Axial slice 24 of 121 of a contrast-enhanced abdominal CT in the arterial phase (slice 1 is the lowest), 120 kVp, kernel STANDARD; 2.50 mm slice thickness and 0.861 mm pixels.
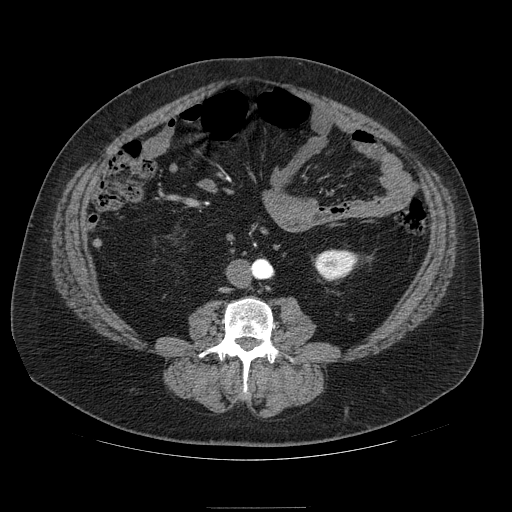
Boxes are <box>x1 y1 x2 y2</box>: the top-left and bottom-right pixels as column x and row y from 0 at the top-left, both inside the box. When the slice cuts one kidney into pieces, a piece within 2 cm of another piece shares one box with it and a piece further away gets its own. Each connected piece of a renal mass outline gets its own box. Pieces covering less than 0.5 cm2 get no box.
Left kidney: <box>314 250 357 280</box> (outlined area 1,028 px, about 7.6 cm2). No renal mass outline on this slice.